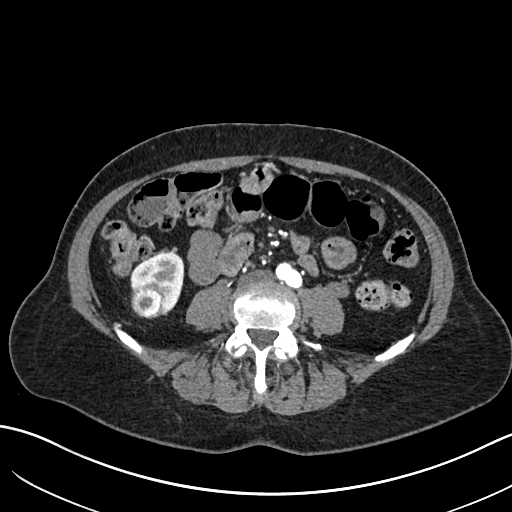
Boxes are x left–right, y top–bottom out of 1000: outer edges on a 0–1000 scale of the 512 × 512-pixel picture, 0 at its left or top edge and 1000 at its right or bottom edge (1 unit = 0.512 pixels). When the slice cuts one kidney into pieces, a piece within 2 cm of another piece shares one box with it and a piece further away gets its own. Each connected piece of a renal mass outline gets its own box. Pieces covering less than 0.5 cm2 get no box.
This is axial slice 267 of 683 (slice 1 is the lowest) of an arterial-phase abdominal CT with contrast; each pixel is 0.738 mm and the slice is 1.00 mm thick. Boxed on this slice (one kidney box and one renal mass box), listed by box centre from the image's left to its right: (1) Right renal mass, box x 256–320, y 553–623 out of 1000 (outlined area 1,014 px, about 5.5 cm2). (2) Right kidney at x 254–361, y 490–615 out of 1000 (outlined area 1,894 px, about 10.3 cm2).
Tube voltage 120 kVp; convolution kernel I30f.